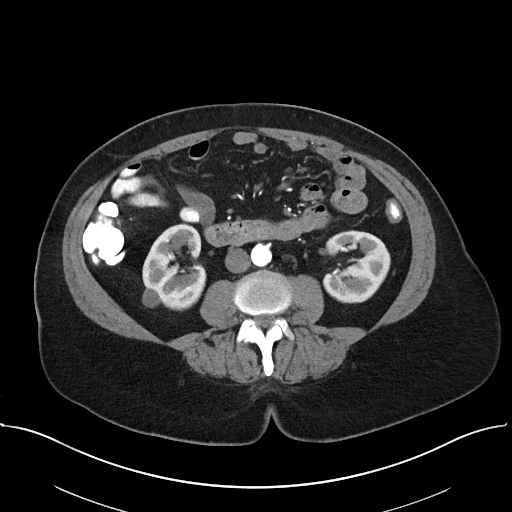
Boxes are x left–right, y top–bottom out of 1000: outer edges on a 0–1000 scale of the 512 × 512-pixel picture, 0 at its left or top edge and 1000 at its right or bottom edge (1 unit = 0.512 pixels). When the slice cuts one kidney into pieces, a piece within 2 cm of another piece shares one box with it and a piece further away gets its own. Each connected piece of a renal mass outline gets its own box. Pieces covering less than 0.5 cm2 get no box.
This is axial slice 12 of 38 (slice 1 is the lowest) of an arterial-phase abdominal CT with contrast; each pixel is 0.822 mm and the slice is 5.00 mm thick. Two kidney boxes on this slice; by box centre, from the image's left to its right: (1) Right kidney, box x 277–404, y 436–607 out of 1000 (outlined area 4,223 px, about 28.6 cm2). (2) Box x 629–764, y 449–594 out of 1000: left kidney (outlined area 3,642 px, about 24.6 cm2). This slice carries no renal mass outline.
Scan settings: 100 kVp, I40f reconstruction kernel.